Axial slice 25 of 52 of a contrast-enhanced abdominal CT in the arterial phase (slice 1 is the lowest), 120 kVp, kernel B30f; 3.00 mm slice thickness and 0.678 mm pixels.
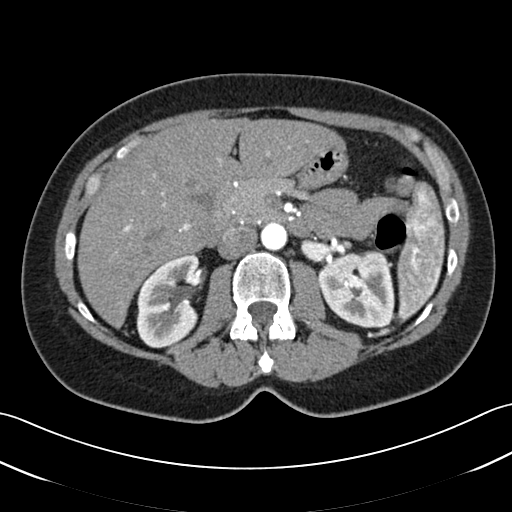
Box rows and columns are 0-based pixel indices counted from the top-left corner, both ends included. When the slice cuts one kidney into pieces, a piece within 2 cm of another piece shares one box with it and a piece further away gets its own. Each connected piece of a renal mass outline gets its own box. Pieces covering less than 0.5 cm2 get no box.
Boxed on this slice (two kidney boxes), listed by box centre from the image's left to its right: (1) Box rows 254–348, columns 136–203: right kidney (outlined area 4,619 px, about 21.2 cm2). (2) Left kidney at rows 249–328, columns 318–394 (outlined area 4,745 px, about 21.8 cm2). No renal mass is outlined on this slice.